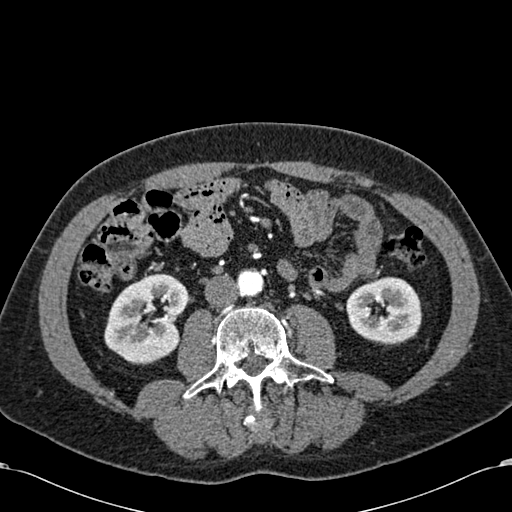
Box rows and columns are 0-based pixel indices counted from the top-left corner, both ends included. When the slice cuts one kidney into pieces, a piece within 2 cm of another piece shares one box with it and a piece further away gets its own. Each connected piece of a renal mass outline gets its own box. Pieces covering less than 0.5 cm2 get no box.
Slice 270/581 of a contrast-enhanced abdominal CT in the arterial phase, counting up from the lowest; pixel size 0.713 mm, slice thickness 1.00 mm. Two boxes on this slice (two kidney boxes), listed by box centre from the image's left to its right. (1) Right kidney, box rows 273–364, columns 104–188 (outlined area 5,550 px, about 28.2 cm2). (2) Left kidney at rows 276–345, columns 346–422 (outlined area 4,019 px, about 20.4 cm2). No renal mass is outlined on this slice.
Scan settings: 120 kVp, B30f reconstruction kernel.